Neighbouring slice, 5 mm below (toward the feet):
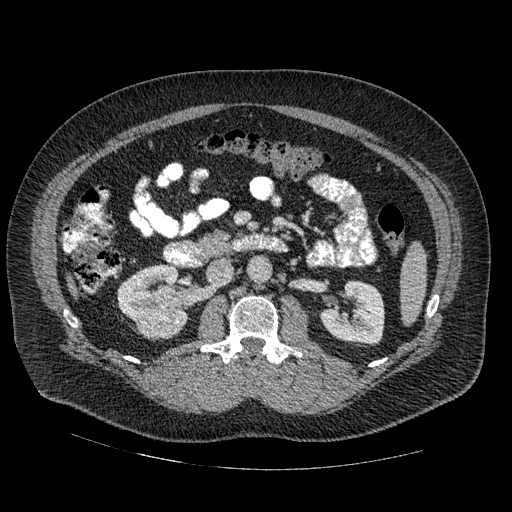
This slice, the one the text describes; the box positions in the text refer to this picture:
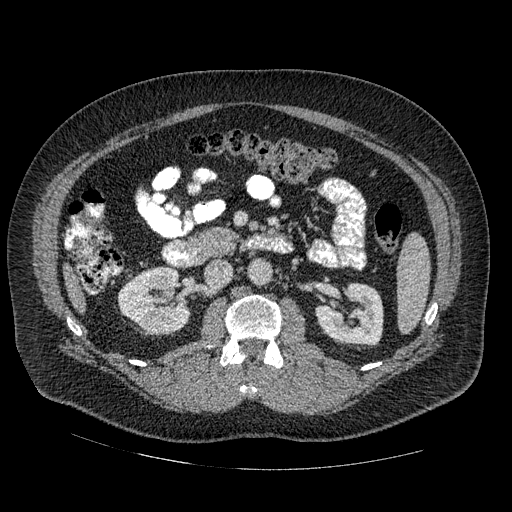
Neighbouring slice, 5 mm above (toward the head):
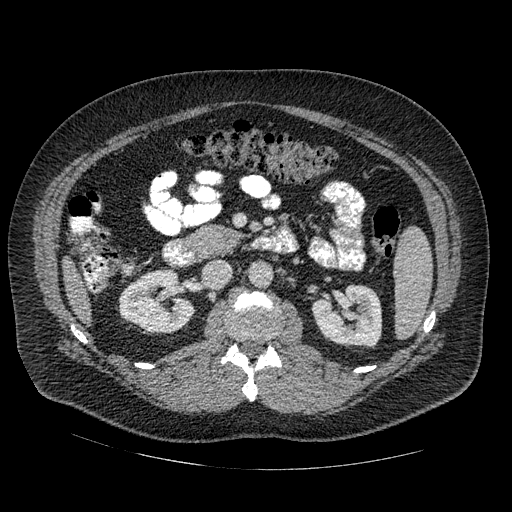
Abdominal CT with intravenous contrast, arterial phase, axial plane, 120 kVp, kernel STANDARD. Slice 275/445 from the bottom of the scan; thickness 1.25 mm; pixel size 0.863 mm.
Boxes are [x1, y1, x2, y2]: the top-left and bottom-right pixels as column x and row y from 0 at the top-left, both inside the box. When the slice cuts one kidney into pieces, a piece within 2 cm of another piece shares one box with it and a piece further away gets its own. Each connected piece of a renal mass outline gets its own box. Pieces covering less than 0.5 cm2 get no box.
Three boxes on this slice (two kidney boxes and one renal mass box), listed by box centre from the image's left to its right. (1) Box [117, 266, 191, 335]: right kidney (outlined area 3,154 px, about 23.5 cm2). (2) Right renal mass, box [143, 308, 173, 332] (outlined area 604 px, about 4.5 cm2). (3) Box [316, 283, 383, 344]: left kidney (outlined area 3,180 px, about 23.7 cm2). This slice is near the end of the right renal mass toward the head, so the slices 5 mm below and 5 mm above it are shown as well; the boxes refer to this slice only.